Abdominal CT with intravenous contrast, arterial phase, axial plane, 120 kVp, kernel B30f. Slice 252/581 from the bottom of the scan; thickness 1.00 mm; pixel size 0.713 mm.
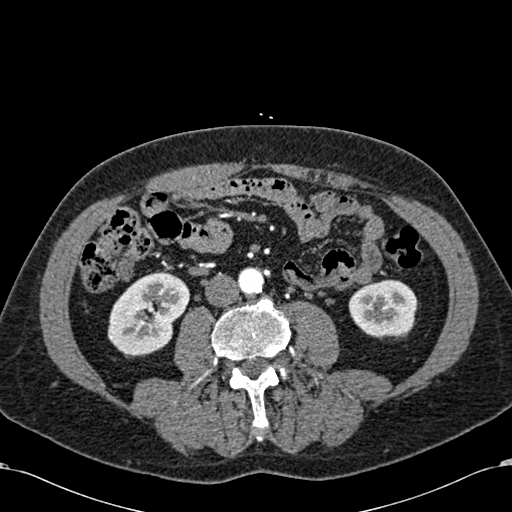
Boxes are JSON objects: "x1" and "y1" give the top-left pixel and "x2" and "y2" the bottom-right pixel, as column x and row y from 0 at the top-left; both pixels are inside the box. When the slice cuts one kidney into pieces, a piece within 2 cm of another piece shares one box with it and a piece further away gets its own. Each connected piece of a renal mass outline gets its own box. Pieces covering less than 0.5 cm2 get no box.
Boxed on this slice (two kidney boxes), listed by box centre from the image's left to its right: (1) Right kidney at {"x1": 107, "y1": 271, "x2": 190, "y2": 356} (outlined area 4,933 px, about 25.1 cm2). (2) Left kidney at {"x1": 348, "y1": 279, "x2": 417, "y2": 337} (outlined area 3,198 px, about 16.3 cm2). No renal mass outline on this slice.